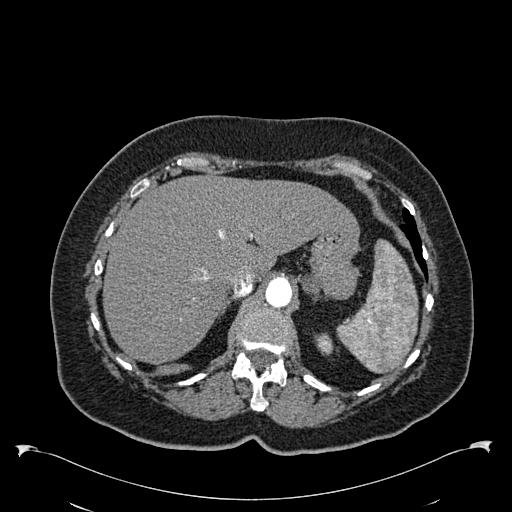
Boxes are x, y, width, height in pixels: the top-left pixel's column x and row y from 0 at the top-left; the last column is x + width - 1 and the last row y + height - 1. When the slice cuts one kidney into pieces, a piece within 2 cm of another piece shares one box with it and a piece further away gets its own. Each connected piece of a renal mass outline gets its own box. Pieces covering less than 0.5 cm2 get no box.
This is axial slice 451 of 538 (slice 1 is the lowest) of an arterial-phase abdominal CT with contrast; each pixel is 0.811 mm and the slice is 1.00 mm thick. Box x 314, y 333, width 20, height 23: left kidney (outlined area 314 px, about 2.1 cm2). This slice carries no renal mass outline.
Tube voltage 120 kVp; convolution kernel B30f.